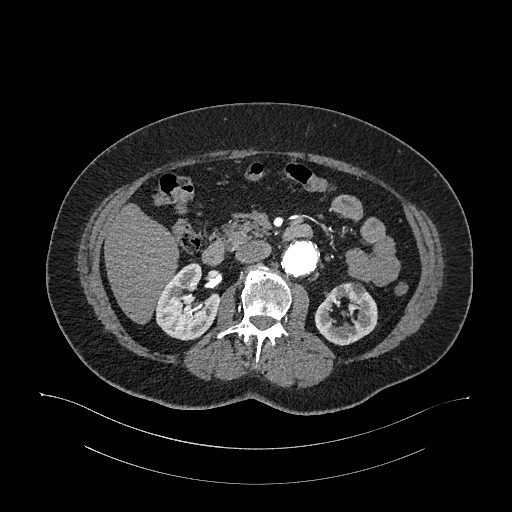
One axial slice (646 of 987, counting up from the lowest) of an arterial-phase abdominal CT acquired with 120 kVp, kernel I26f; each pixel is 0.977 mm and the slice is 1.00 mm thick.
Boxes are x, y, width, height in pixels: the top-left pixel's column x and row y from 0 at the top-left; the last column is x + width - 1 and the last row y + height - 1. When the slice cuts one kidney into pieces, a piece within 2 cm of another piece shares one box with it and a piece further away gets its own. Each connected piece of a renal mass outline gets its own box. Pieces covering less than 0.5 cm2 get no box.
Two kidney boxes on this slice; by box centre, from the image's left to its right: (1) Right kidney at x 155, y 262, width 65, height 79 (outlined area 3,369 px, about 32.1 cm2). (2) Left kidney at x 314, y 282, width 64, height 64 (outlined area 2,701 px, about 25.8 cm2). No renal mass is outlined on this slice.